Axial slice 340 of 787 of a contrast-enhanced abdominal CT (slice 1 is the lowest), 140 kVp, kernel I30f; 1.00 mm slice thickness and 0.910 mm pixels.
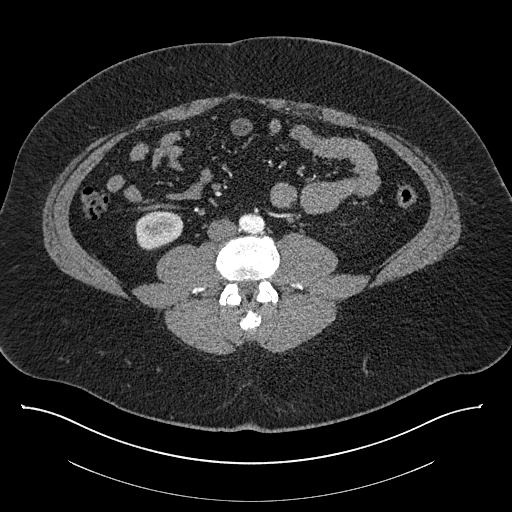
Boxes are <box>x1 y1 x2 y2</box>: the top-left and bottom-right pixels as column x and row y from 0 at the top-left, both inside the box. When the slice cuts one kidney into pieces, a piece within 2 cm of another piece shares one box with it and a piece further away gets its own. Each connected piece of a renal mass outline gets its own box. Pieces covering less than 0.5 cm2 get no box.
Right kidney: <box>135 210 183 250</box> (outlined area 1,508 px, about 12.5 cm2). This slice carries no renal mass outline.